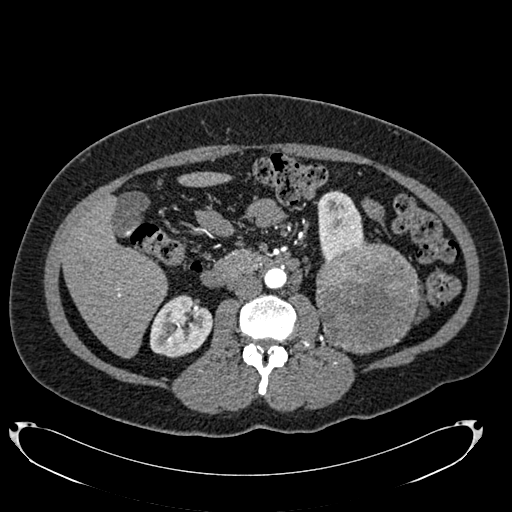
Axial slice 393 of 634 of a contrast-enhanced abdominal CT in the arterial phase (slice 1 is the lowest), 120 kVp, kernel B20f; 1.00 mm slice thickness and 0.838 mm pixels.
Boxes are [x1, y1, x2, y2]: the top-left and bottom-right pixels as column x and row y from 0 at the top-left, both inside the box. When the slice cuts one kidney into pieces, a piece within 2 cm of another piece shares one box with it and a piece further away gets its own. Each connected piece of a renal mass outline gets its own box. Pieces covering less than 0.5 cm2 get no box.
Three boxes on this slice (two kidney boxes and one renal mass box), listed by box centre from the image's left to its right. (1) Right kidney, box [150, 294, 213, 357] (outlined area 2,964 px, about 20.8 cm2). (2) Left kidney at [317, 190, 367, 258] (outlined area 2,388 px, about 16.8 cm2). (3) Box [315, 242, 419, 354]: left renal mass (outlined area 9,306 px, about 65.3 cm2).